One axial slice (370 of 612, counting up from the lowest) of an arterial-phase abdominal CT acquired with 120 kVp, kernel I30f; each pixel is 0.703 mm and the slice is 1.00 mm thick.
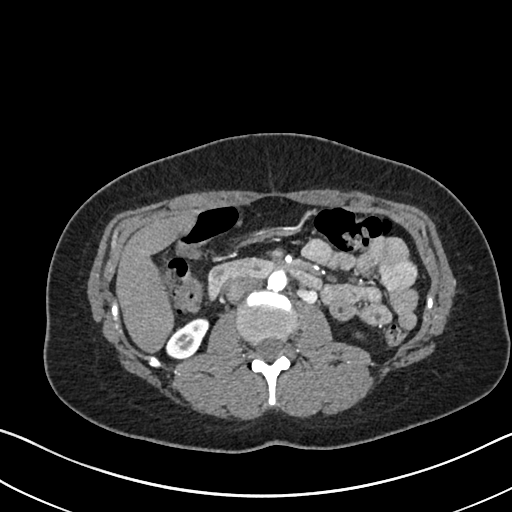
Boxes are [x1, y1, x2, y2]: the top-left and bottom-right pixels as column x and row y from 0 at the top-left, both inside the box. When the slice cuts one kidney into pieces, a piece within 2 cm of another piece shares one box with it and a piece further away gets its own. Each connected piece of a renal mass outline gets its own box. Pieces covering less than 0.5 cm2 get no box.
Right kidney at [165, 318, 209, 358] (outlined area 1,163 px, about 5.7 cm2). No renal mass outline on this slice.